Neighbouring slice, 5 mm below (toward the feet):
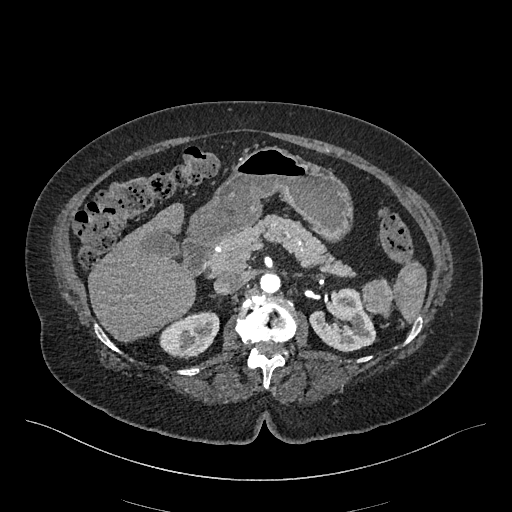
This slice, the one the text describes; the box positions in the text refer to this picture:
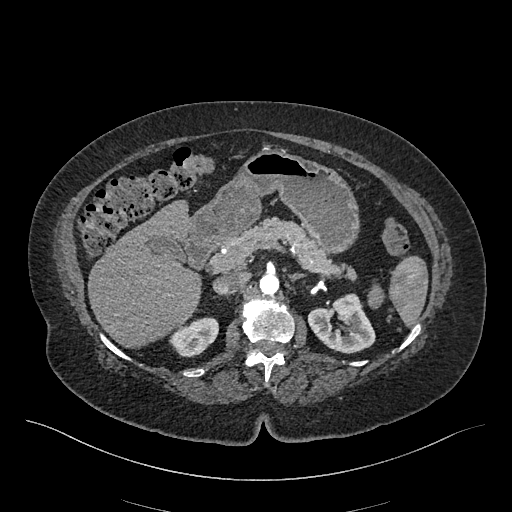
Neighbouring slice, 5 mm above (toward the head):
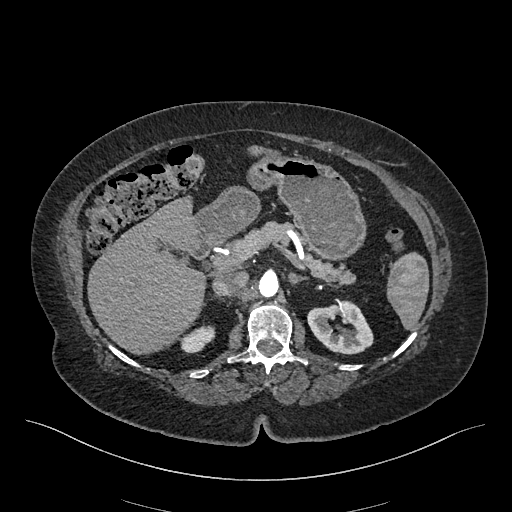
One axial slice (303 of 548, counting up from the lowest) of an arterial-phase abdominal CT acquired with 120 kVp, kernel I26f; each pixel is 0.852 mm and the slice is 1.00 mm thick.
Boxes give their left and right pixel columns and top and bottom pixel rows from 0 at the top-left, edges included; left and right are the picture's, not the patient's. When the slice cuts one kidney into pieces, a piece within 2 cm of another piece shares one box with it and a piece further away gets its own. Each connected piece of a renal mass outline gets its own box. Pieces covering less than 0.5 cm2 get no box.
Boxed on this slice (two kidney boxes and one renal mass box), listed by box centre from the image's left to its right: (1) Right kidney in the box with left 169, top 317, right 218, bottom 357 (outlined area 1,389 px, about 10.1 cm2). (2) Left kidney, the box with left 307, top 293, right 375, bottom 353 (outlined area 2,748 px, about 19.9 cm2). (3) Box with left 367, top 284, right 384, bottom 308: left renal mass (outlined area 322 px, about 2.3 cm2). This slice lies near the end of the left renal mass toward the head; the slices 5 mm below and 5 mm above it are shown too, and the boxes mark positions on this slice only.